Axial slice 513 of 665 of a contrast-enhanced abdominal CT in the arterial phase (slice 1 is the lowest), 100 kVp, kernel I26f; 1.00 mm slice thickness and 0.828 mm pixels.
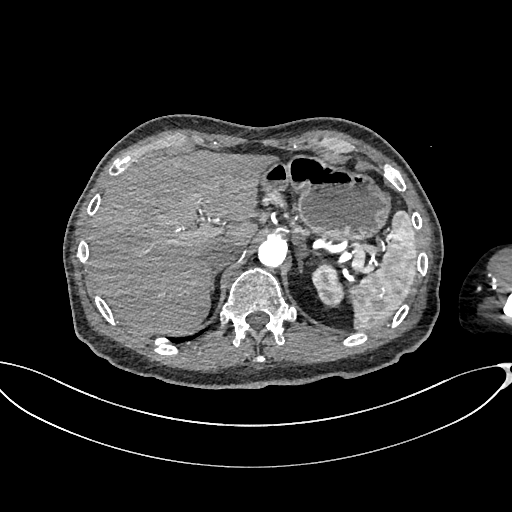
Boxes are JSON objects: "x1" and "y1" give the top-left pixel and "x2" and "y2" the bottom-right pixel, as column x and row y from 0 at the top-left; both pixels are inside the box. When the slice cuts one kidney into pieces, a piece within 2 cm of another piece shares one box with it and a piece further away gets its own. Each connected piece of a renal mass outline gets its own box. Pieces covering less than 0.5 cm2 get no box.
Left kidney, box {"x1": 311, "y1": 262, "x2": 343, "y2": 307} (outlined area 1,048 px, about 7.2 cm2). This slice carries no renal mass outline.